Axial slice 169 of 1059 of a contrast-enhanced abdominal CT in the arterial phase (slice 1 is the lowest), 100 kVp, kernel I30f; 1.00 mm slice thickness and 0.811 mm pixels.
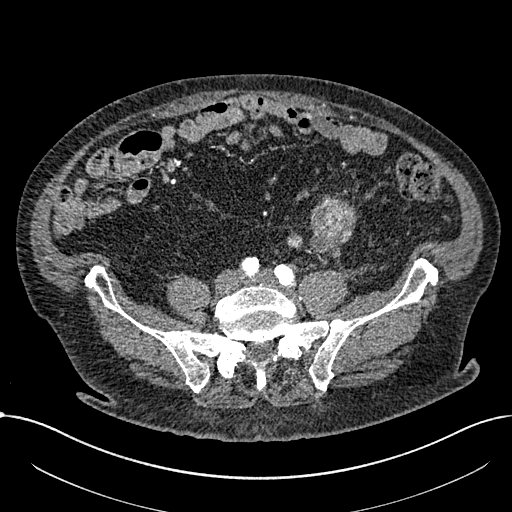
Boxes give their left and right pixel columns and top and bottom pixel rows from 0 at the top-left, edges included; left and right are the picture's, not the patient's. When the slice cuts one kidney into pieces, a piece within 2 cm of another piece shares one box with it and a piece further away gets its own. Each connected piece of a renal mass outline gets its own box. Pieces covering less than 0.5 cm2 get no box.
Boxed on this slice (two renal mass boxes), listed by box centre from the image's left to its right: (1) Renal mass, the box with left 286, top 231, right 301, bottom 247 (outlined area 194 px, about 1.3 cm2); no kidney is outlined on this slice, but the same outlined renal mass comes within 1 cm of the kidney on another slice. (2) Box with left 309, top 194, right 356, bottom 261: renal mass (outlined area 2,224 px, about 14.6 cm2); no kidney is outlined on this slice, but the same outlined renal mass comes within 1 cm of the kidney on another slice.